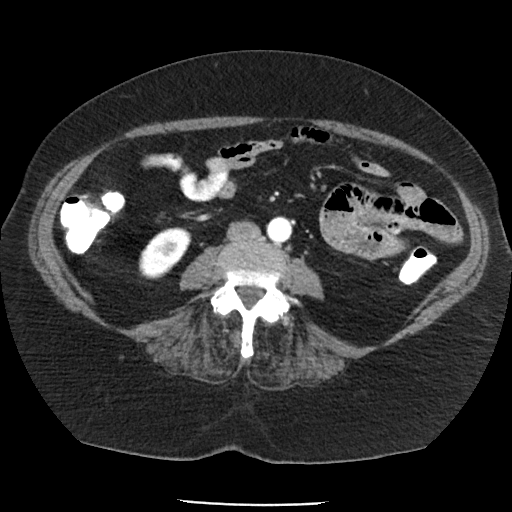
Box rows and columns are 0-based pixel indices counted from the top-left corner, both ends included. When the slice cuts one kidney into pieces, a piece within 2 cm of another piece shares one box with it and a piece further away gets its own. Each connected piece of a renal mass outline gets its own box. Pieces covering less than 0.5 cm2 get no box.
This is axial slice 45 of 85 (slice 1 is the lowest) of an arterial-phase abdominal CT with contrast; each pixel is 0.741 mm and the slice is 5.00 mm thick. Right kidney at rows 227–279, columns 139–191 (outlined area 1,852 px, about 10.2 cm2). No renal mass outline on this slice.
Acquired at 120 kVp and reconstructed with the FC19 kernel.